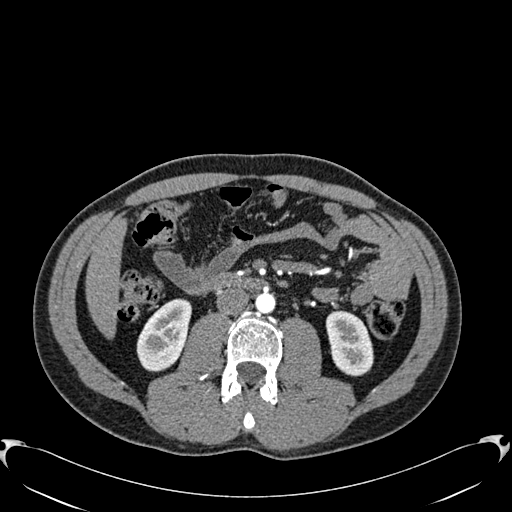
One axial slice (298 of 512, counting up from the lowest) of an arterial-phase abdominal CT acquired with 120 kVp, kernel B30f; each pixel is 0.771 mm and the slice is 1.00 mm thick.
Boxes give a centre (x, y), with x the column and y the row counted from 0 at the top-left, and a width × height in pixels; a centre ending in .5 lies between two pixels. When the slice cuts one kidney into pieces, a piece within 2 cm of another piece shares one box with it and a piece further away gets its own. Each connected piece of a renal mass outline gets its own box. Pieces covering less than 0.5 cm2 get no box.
Two kidney boxes on this slice; by box centre, from the image's left to its right: (1) Box centre (163.5, 334.5), 56 × 74 pixels: right kidney (outlined area 2,863 px, about 17.0 cm2). (2) Box centre (349, 343), 49 × 67 pixels: left kidney (outlined area 2,434 px, about 14.5 cm2). No renal mass is outlined on this slice.